Axial slice 130 of 470 of a contrast-enhanced abdominal CT in the arterial phase (slice 1 is the lowest), 120 kVp, kernel I26f; 1.00 mm slice thickness and 0.938 mm pixels.
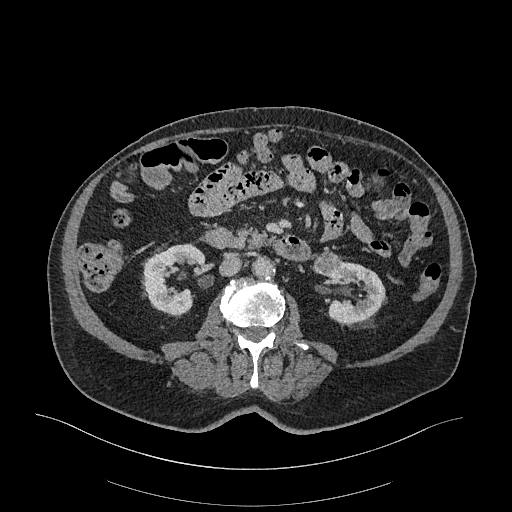
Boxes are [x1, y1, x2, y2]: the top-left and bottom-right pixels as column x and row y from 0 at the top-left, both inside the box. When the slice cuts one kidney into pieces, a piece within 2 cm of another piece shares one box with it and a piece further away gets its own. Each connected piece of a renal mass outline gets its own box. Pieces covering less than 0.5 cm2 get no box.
Three boxes on this slice (two kidney boxes and one renal mass box), listed by box centre from the image's left to its right. (1) Right kidney, box [143, 243, 205, 316] (outlined area 3,034 px, about 26.7 cm2). (2) Box [311, 251, 341, 277]: left renal mass (outlined area 610 px, about 5.4 cm2). (3) Box [317, 261, 386, 323]: left kidney (outlined area 2,713 px, about 23.8 cm2).